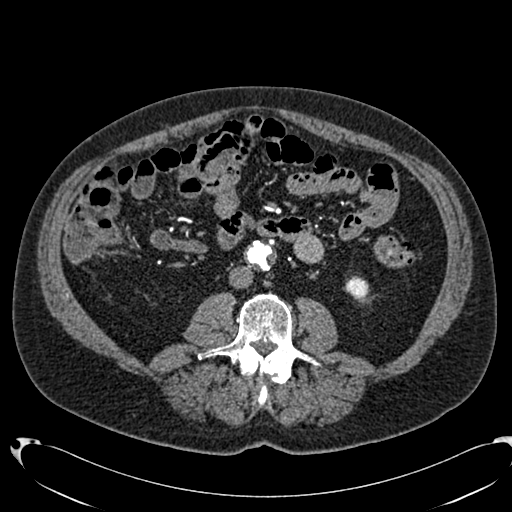
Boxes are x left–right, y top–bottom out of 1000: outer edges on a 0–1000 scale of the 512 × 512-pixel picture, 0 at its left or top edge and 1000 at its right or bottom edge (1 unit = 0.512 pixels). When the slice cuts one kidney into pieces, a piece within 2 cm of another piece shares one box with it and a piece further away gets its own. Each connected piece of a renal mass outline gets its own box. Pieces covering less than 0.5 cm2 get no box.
This is axial slice 312 of 553 (slice 1 is the lowest) of an arterial-phase abdominal CT with contrast; each pixel is 0.773 mm and the slice is 1.00 mm thick. Left kidney, box x 674–721, y 541–588 out of 1000 (outlined area 417 px, about 2.5 cm2). This slice carries no renal mass outline.
Tube voltage 120 kVp; convolution kernel B20f.